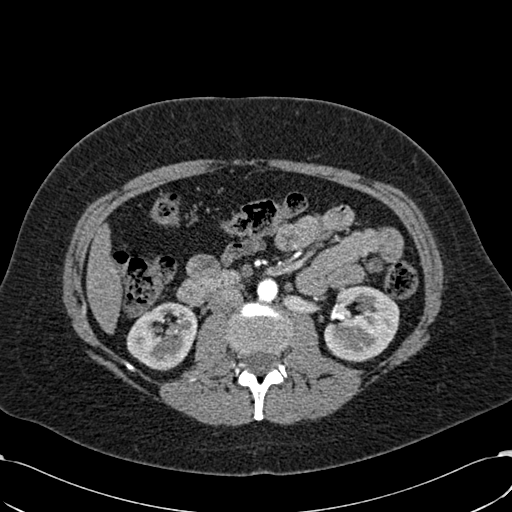
Axial slice 327 of 532 of a contrast-enhanced abdominal CT in the arterial phase (slice 1 is the lowest), 120 kVp, kernel B30f; 1.00 mm slice thickness and 0.713 mm pixels.
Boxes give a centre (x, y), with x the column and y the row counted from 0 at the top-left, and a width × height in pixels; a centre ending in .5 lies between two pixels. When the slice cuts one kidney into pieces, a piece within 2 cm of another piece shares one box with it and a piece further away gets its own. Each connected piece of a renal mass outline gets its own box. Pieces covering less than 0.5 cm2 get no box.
Boxed on this slice (two kidney boxes), listed by box centre from the image's left to its right: (1) Right kidney, box centre (161.5, 336), 72 × 69 pixels (outlined area 3,558 px, about 18.1 cm2). (2) Left kidney, box centre (361.5, 323.5), 76 × 78 pixels (outlined area 4,402 px, about 22.4 cm2). This slice carries no renal mass outline.